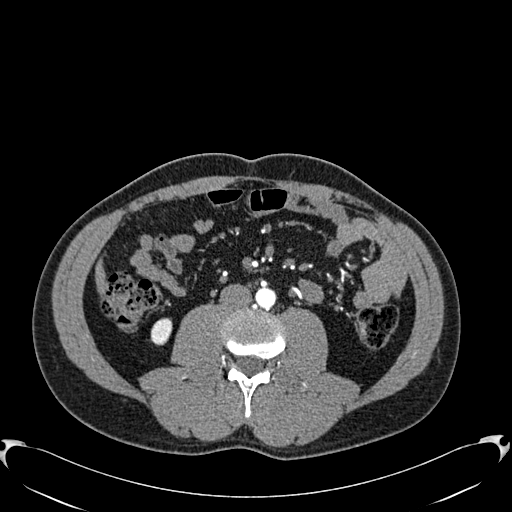
Arterial-phase contrast-enhanced abdominal CT, axial slice 261 of 512 (counted from the lowest slice); tube voltage 120 kVp, convolution kernel B30f; slices 1.00 mm thick, 0.771 mm per pixel.
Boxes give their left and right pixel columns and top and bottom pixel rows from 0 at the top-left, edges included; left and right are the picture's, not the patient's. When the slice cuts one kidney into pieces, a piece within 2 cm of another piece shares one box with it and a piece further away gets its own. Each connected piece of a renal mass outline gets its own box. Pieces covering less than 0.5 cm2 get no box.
Box with left 150, top 318, right 172, bottom 345: right kidney (outlined area 492 px, about 2.9 cm2). This slice carries no renal mass outline.